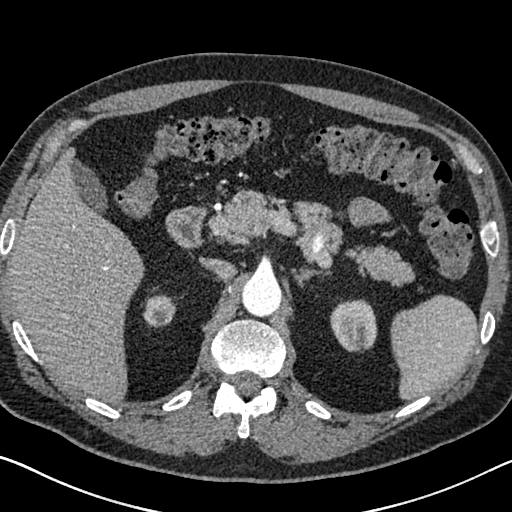
Axial slice 479 of 626 of a contrast-enhanced abdominal CT in the arterial phase (slice 1 is the lowest), 120 kVp, kernel I30f; 1.00 mm slice thickness and 0.703 mm pixels.
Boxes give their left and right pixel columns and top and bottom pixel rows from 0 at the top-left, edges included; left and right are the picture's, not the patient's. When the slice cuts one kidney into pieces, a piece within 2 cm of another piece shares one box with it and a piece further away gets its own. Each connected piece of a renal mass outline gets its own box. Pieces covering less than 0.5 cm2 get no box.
Two kidney boxes on this slice; by box centre, from the image's left to its right: (1) Box with left 142, top 295, right 176, bottom 327: right kidney (outlined area 856 px, about 4.2 cm2). (2) Left kidney, the box with left 330, top 299, right 377, bottom 352 (outlined area 2,003 px, about 9.9 cm2). No renal mass outline on this slice.